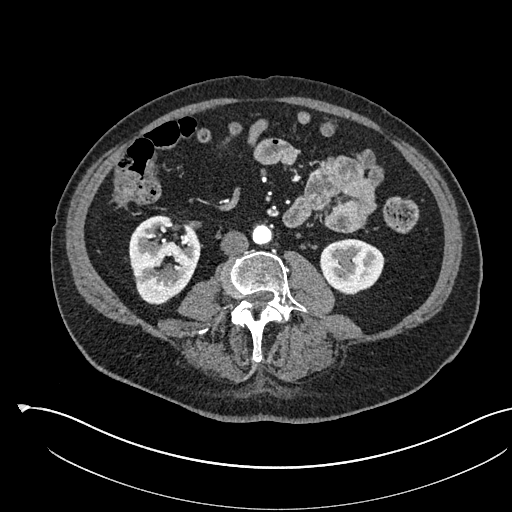
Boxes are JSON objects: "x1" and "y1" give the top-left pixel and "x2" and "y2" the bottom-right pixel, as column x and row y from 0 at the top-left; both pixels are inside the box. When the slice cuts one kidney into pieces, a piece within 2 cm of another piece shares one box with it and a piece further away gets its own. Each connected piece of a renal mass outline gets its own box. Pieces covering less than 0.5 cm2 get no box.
This is axial slice 250 of 541 (slice 1 is the lowest) of an arterial-phase abdominal CT with contrast; each pixel is 0.834 mm and the slice is 1.00 mm thick. Two boxes on this slice (two kidney boxes), listed by box centre from the image's left to its right. (1) Right kidney at {"x1": 129, "y1": 214, "x2": 200, "y2": 304} (outlined area 4,653 px, about 32.4 cm2). (2) Left kidney at {"x1": 320, "y1": 238, "x2": 384, "y2": 295} (outlined area 2,808 px, about 19.5 cm2). No renal mass is outlined on this slice.
Acquired at 120 kVp and reconstructed with the I30f kernel.